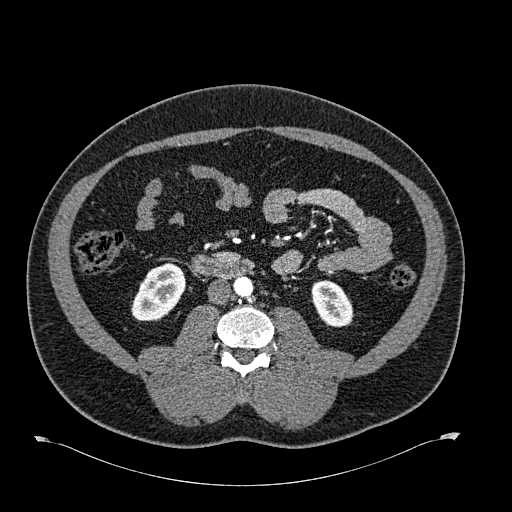
Abdominal CT with intravenous contrast, arterial phase, axial plane, 120 kVp, kernel B30f. Slice 291/723 from the bottom of the scan; thickness 1.00 mm; pixel size 0.895 mm.
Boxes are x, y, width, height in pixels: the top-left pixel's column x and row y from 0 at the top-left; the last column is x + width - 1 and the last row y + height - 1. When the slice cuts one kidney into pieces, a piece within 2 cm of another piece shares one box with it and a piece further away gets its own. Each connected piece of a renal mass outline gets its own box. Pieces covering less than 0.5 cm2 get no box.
Boxed on this slice (two kidney boxes), listed by box centre from the image's left to its right: (1) Box x 131, y 262, width 55, height 60: right kidney (outlined area 2,271 px, about 18.2 cm2). (2) Left kidney, box x 311, y 280, width 43, height 48 (outlined area 1,520 px, about 12.2 cm2). No renal mass is outlined on this slice.